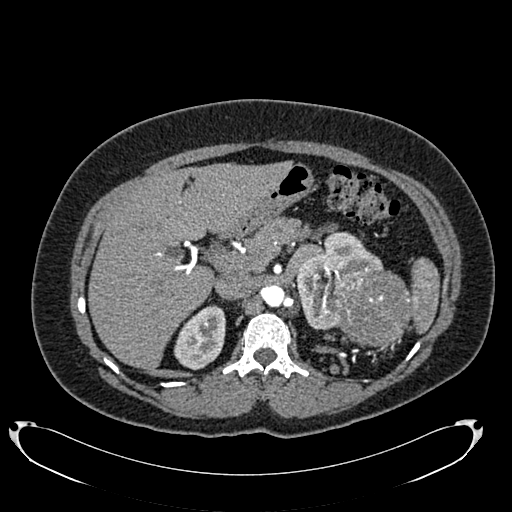
Abdominal CT with intravenous contrast, arterial phase, axial plane, 120 kVp, kernel B20f. Slice 504/634 from the bottom of the scan; thickness 1.00 mm; pixel size 0.838 mm.
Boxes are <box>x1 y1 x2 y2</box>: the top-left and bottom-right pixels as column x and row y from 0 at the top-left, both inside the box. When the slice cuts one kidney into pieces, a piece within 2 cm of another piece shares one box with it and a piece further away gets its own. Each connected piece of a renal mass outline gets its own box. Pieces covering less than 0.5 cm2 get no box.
Three boxes on this slice (two kidney boxes and one renal mass box), listed by box centre from the image's left to its right. (1) Right kidney at <box>174 305 225 370</box> (outlined area 2,443 px, about 17.2 cm2). (2) At <box>295 232 383 329</box>: left kidney (outlined area 4,232 px, about 29.7 cm2). (3) At <box>335 269 411 347</box>: left renal mass (outlined area 4,956 px, about 34.8 cm2).